Abdominal CT with intravenous contrast, arterial phase, axial plane, 100 kVp, kernel I40f. Slice 73/270 from the bottom of the scan; thickness 2.00 mm; pixel size 0.855 mm.
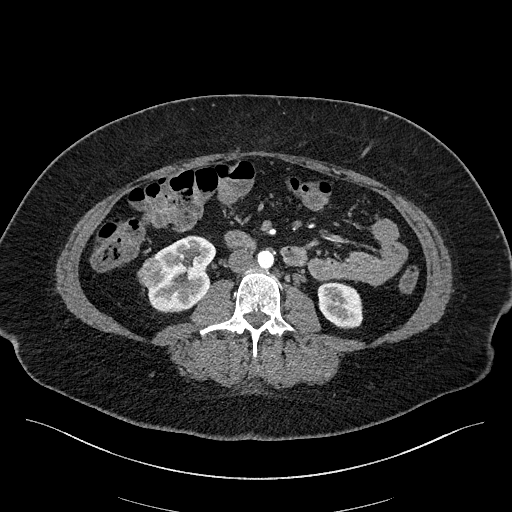
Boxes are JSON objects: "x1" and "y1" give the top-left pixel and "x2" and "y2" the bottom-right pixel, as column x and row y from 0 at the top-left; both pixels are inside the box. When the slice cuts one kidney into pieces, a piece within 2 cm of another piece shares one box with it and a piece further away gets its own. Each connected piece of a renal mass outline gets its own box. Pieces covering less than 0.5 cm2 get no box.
Three boxes on this slice (two kidney boxes and one renal mass box), listed by box centre from the image's left to its right. (1) Right renal mass at {"x1": 137, "y1": 257, "x2": 166, "y2": 288} (outlined area 678 px, about 5.0 cm2). (2) Right kidney at {"x1": 147, "y1": 235, "x2": 216, "y2": 312} (outlined area 3,574 px, about 26.2 cm2). (3) Left kidney, box {"x1": 317, "y1": 282, "x2": 362, "y2": 328} (outlined area 1,721 px, about 12.6 cm2).